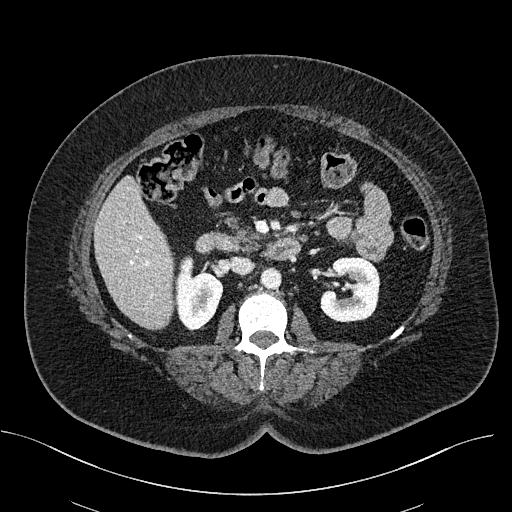
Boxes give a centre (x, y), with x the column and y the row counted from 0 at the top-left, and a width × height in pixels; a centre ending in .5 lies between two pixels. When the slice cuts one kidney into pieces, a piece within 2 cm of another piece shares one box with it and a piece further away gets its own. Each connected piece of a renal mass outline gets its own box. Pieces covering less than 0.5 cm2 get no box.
Slice 297/470 of a contrast-enhanced abdominal CT, counting up from the lowest; pixel size 0.824 mm, slice thickness 2.00 mm. Boxed on this slice (two kidney boxes), listed by box centre from the image's left to its right: (1) Box centre (198.5, 293), 50 × 77 pixels: right kidney (outlined area 2,576 px, about 17.5 cm2). (2) Left kidney, box centre (350, 289.5), 61 × 66 pixels (outlined area 3,037 px, about 20.6 cm2). No renal mass outline on this slice.
Acquired at 100 kVp and reconstructed with the I40f kernel.